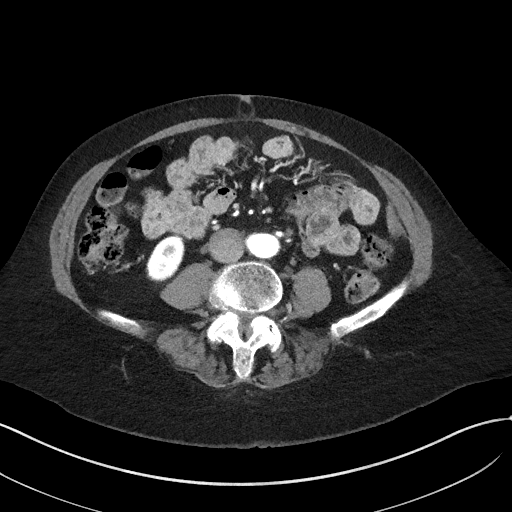
Arterial-phase contrast-enhanced abdominal CT, axial slice 4 of 50 (counted from the lowest slice); tube voltage 100 kVp, convolution kernel I41f; slices 3.00 mm thick, 0.758 mm per pixel.
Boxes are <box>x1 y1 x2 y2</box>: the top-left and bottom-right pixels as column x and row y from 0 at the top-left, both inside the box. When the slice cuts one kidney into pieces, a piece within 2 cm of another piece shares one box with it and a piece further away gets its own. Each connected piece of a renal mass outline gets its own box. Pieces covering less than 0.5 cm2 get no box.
Right kidney at <box>146 235 184 282</box> (outlined area 1,309 px, about 7.5 cm2). No renal mass is outlined on this slice.